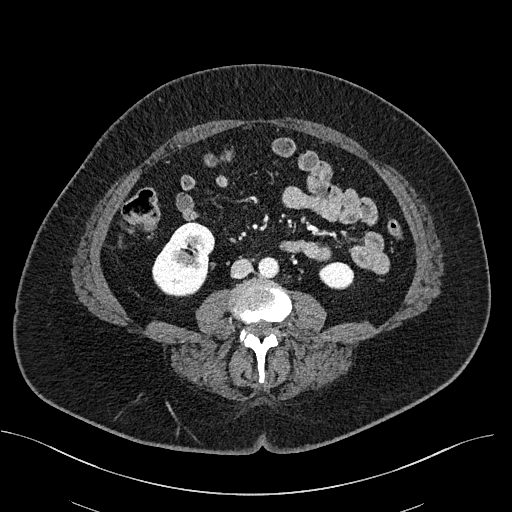
Abdominal CT with intravenous contrast, axial plane, 100 kVp, kernel I40f. Slice 255/470 from the bottom of the scan; thickness 2.00 mm; pixel size 0.824 mm.
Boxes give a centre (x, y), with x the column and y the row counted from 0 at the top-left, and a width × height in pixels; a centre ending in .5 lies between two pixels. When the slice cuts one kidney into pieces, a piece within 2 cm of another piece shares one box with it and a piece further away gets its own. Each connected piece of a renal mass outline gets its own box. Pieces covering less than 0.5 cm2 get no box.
Two boxes on this slice (two kidney boxes), listed by box centre from the image's left to its right. (1) Box centre (183, 258.5), 63 × 76 pixels: right kidney (outlined area 3,385 px, about 23.0 cm2). (2) Left kidney in a box with centre (336, 275), 37 × 27 pixels (outlined area 772 px, about 5.2 cm2). This slice carries no renal mass outline.